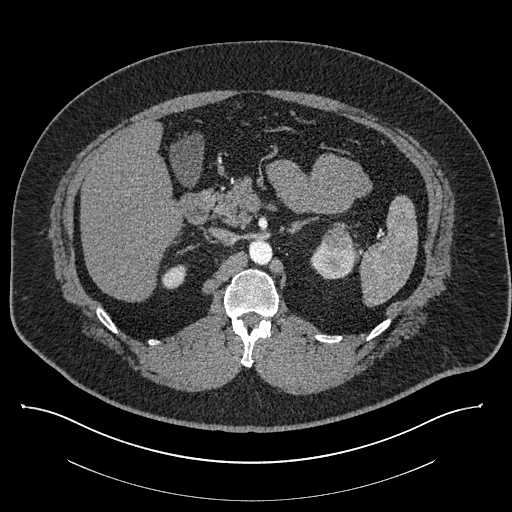
One axial slice (549 of 787, counting up from the lowest) of a contrast-enhanced abdominal CT acquired with 140 kVp, kernel I30f; each pixel is 0.910 mm and the slice is 1.00 mm thick.
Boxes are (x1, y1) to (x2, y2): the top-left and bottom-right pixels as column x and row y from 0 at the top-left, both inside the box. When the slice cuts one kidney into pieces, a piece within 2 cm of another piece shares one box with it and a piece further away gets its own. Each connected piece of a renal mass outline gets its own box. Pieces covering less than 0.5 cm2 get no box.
Three boxes on this slice (two kidney boxes and one renal mass box), listed by box centre from the image's left to its right. (1) Right kidney from (161, 264) to (186, 289) (outlined area 479 px, about 4.0 cm2). (2) Left kidney, box (310, 243) to (356, 279) (outlined area 1,162 px, about 9.6 cm2). (3) Box (321, 226) to (354, 253): left renal mass (outlined area 649 px, about 5.4 cm2).